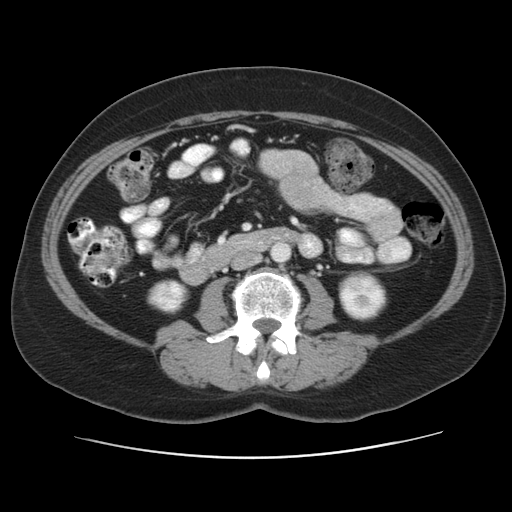
Arterial-phase contrast-enhanced abdominal CT, axial slice 18 of 53 (counted from the lowest slice); tube voltage 120 kVp, convolution kernel STANDARD; slices 5.00 mm thick, 0.703 mm per pixel.
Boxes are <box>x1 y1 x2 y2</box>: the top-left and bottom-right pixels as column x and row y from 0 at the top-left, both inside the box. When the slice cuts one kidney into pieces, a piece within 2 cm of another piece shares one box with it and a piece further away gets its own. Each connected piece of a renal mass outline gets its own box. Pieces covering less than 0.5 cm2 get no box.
Boxed on this slice (two kidney boxes), listed by box centre from the image's left to its right: (1) Right kidney at <box>147 279 189 314</box> (outlined area 1,113 px, about 5.5 cm2). (2) Left kidney: <box>338 270 386 321</box> (outlined area 1,909 px, about 9.4 cm2). No renal mass is outlined on this slice.